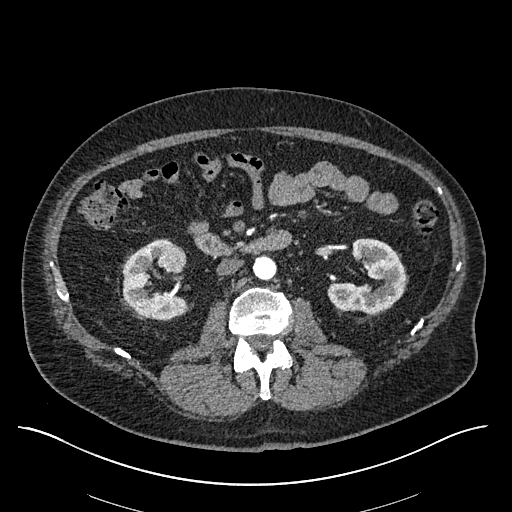
Arterial-phase contrast-enhanced abdominal CT, axial slice 309 of 670 (counted from the lowest slice); tube voltage 120 kVp, convolution kernel I30f; slices 1.00 mm thick, 0.861 mm per pixel.
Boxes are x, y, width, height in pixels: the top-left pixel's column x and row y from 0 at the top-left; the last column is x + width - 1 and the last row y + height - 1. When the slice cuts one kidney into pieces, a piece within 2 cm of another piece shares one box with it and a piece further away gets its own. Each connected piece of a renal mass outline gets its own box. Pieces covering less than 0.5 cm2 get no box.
Boxed on this slice (two kidney boxes and one renal mass box), listed by box centre from the image's left to its right: (1) Box x 122, y 239, width 68, height 81: right kidney (outlined area 3,290 px, about 24.4 cm2). (2) Box x 158, y 243, width 30, height 30: right renal mass (outlined area 721 px, about 5.3 cm2). (3) Left kidney at x 327, y 238, width 80, height 77 (outlined area 3,767 px, about 27.9 cm2).